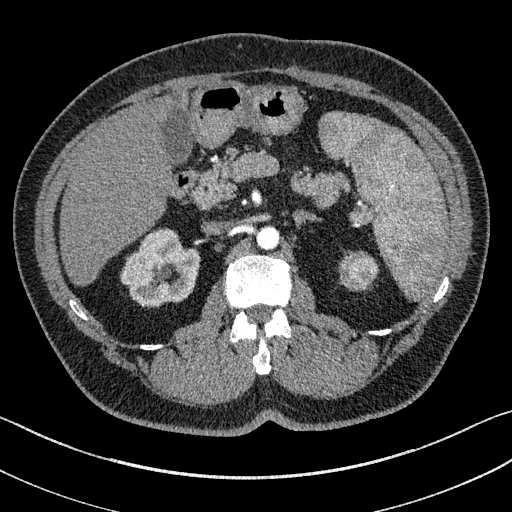
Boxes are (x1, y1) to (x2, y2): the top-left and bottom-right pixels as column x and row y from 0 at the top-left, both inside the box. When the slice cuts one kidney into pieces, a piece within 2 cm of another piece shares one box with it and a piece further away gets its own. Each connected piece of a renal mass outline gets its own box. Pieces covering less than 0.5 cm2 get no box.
Arterial-phase contrast-enhanced abdominal CT, axial slice 98 of 195 (counted from the lowest slice); 1.50 mm thick, 0.707 mm per pixel. Two boxes on this slice (one kidney box and one renal mass box), listed by box centre from the image's left to its right. (1) Right kidney from (120, 228) to (199, 306) (outlined area 4,333 px, about 21.7 cm2). (2) Box (339, 251) to (378, 290): left renal mass (outlined area 1,209 px, about 6.0 cm2); it sits over 1 cm from every kidney outline on this slice, but the same outlined renal mass comes within 1 cm of the kidney on another slice.
Acquired at 100 kVp and reconstructed with the I31f kernel.